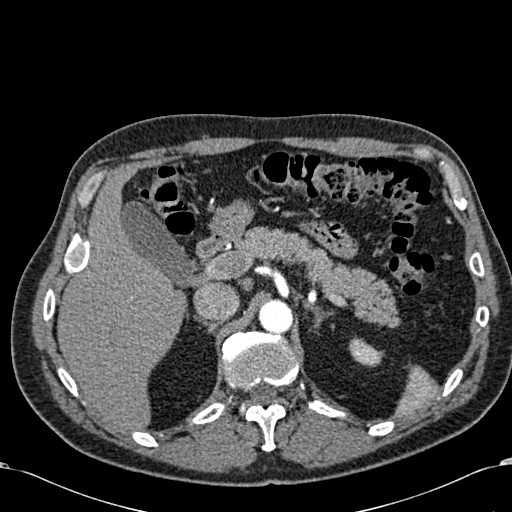
Arterial-phase contrast-enhanced abdominal CT, axial slice 450 of 581 (counted from the lowest slice); tube voltage 120 kVp, convolution kernel B30f; slices 1.00 mm thick, 0.713 mm per pixel.
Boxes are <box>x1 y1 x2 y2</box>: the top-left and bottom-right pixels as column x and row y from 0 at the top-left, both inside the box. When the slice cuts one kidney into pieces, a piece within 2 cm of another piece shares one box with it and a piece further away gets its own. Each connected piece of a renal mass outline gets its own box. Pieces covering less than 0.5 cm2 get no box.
At <box>348 337 381 366</box>: left kidney (outlined area 668 px, about 3.4 cm2). This slice carries no renal mass outline.